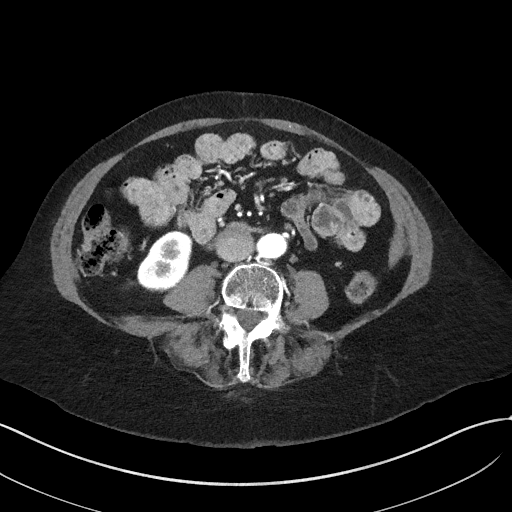
Axial slice 7 of 50 of a contrast-enhanced abdominal CT in the arterial phase (slice 1 is the lowest), 100 kVp, kernel I41f; 3.00 mm slice thickness and 0.758 mm pixels.
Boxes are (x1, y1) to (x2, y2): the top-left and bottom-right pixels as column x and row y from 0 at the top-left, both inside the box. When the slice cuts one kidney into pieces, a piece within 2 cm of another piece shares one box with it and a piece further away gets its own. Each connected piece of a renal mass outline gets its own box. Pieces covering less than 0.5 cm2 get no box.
Box (137, 231) to (192, 291): right kidney (outlined area 2,421 px, about 13.9 cm2). No renal mass is outlined on this slice.